Axial slice 159 of 326 of a contrast-enhanced abdominal CT in the arterial phase (slice 1 is the lowest), 120 kVp, kernel B31f; 2.00 mm slice thickness and 0.963 mm pixels.
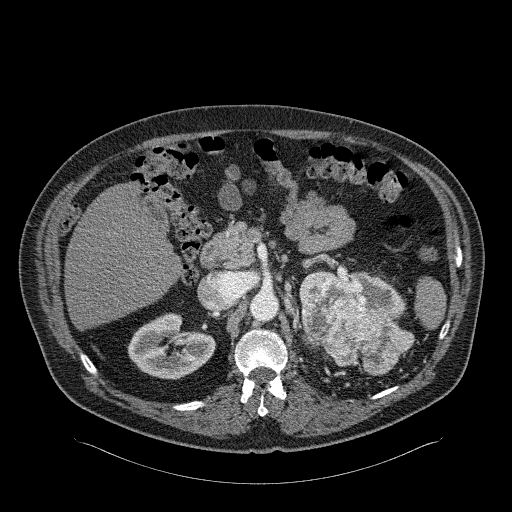
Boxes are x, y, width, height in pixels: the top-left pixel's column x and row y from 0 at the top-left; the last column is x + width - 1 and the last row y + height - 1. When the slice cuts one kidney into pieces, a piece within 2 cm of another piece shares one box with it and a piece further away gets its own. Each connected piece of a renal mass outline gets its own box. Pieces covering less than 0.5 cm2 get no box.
Three kidney boxes and one renal mass box on this slice; by box centre, from the image's left to its right: (1) Right kidney at x 127, y 313, width 90, height 67 (outlined area 3,900 px, about 36.2 cm2). (2) Left kidney (one of two boxed parts) at x 299, y 271, width 30, height 27 (outlined area 178 px, about 1.7 cm2). (3) Left renal mass at x 300, y 272, width 115, height 103 (outlined area 7,198 px, about 66.7 cm2). (4) Left kidney (one of two boxed parts), box x 350, y 271, width 55, height 49 (outlined area 1,274 px, about 11.8 cm2).